One axial slice (115 of 195, counting up from the lowest) of an arterial-phase abdominal CT acquired with 100 kVp, kernel I31f; each pixel is 0.707 mm and the slice is 1.50 mm thick.
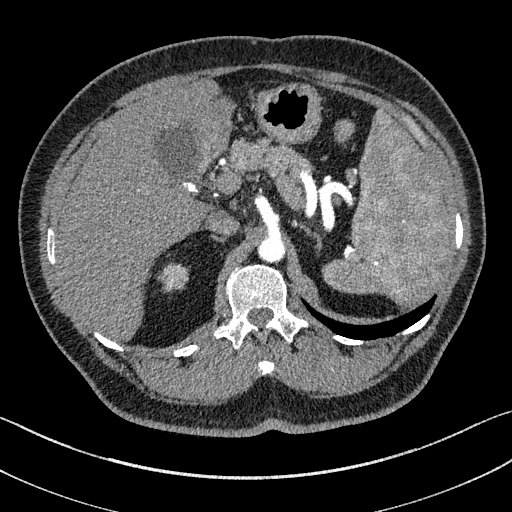
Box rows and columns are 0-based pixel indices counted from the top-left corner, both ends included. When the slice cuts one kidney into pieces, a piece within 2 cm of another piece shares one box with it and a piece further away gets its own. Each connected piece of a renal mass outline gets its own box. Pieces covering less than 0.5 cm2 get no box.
Box rows 264–291, columns 159–188: right kidney (outlined area 610 px, about 3.0 cm2). No renal mass outline on this slice.